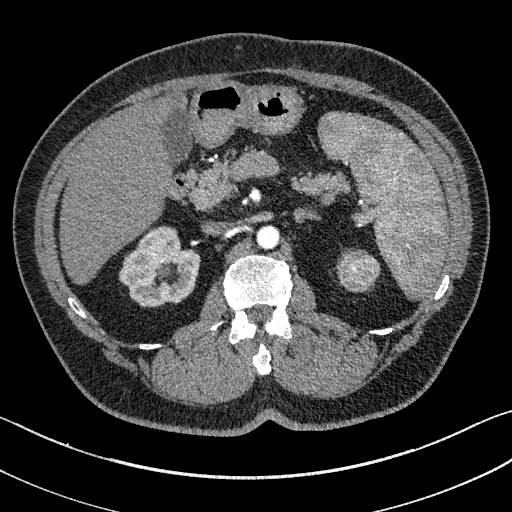
Abdominal CT with intravenous contrast, arterial phase, axial plane, 100 kVp, kernel I31f. Slice 97/195 from the bottom of the scan; thickness 1.50 mm; pixel size 0.707 mm.
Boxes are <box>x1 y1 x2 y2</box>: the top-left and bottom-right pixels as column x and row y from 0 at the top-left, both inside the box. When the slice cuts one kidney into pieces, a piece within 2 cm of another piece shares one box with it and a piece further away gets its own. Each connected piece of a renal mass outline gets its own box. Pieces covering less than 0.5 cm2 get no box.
Two boxes on this slice (one kidney box and one renal mass box), listed by box centre from the image's left to its right. (1) Right kidney at <box>119 226 199 306</box> (outlined area 4,456 px, about 22.3 cm2). (2) At <box>337 250 379 291</box>: left renal mass (outlined area 1,419 px, about 7.1 cm2); here it is more than 1 cm from any kidney outline, though on another slice the same outlined renal mass lies within 1 cm of the kidney.